One axial slice (27 of 105, counting up from the lowest) of a contrast-enhanced abdominal CT acquired with 120 kVp, kernel B; each pixel is 0.977 mm and the slice is 3.00 mm thick.
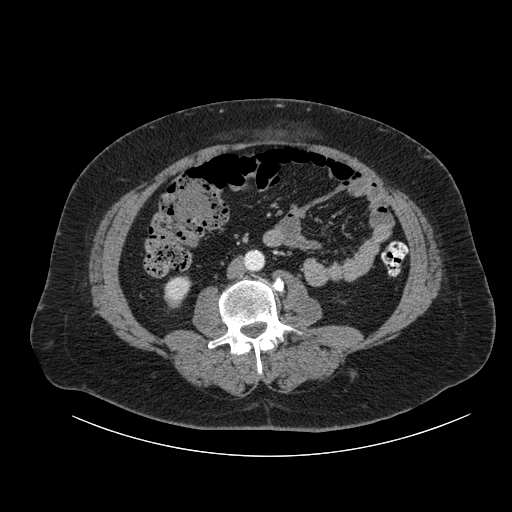
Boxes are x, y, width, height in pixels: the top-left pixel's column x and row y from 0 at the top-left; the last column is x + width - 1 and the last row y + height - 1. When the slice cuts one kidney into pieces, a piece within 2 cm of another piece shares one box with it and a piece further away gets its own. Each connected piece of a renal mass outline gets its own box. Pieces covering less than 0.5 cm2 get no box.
Box x 163, y 275, width 29, height 34: right kidney (outlined area 680 px, about 6.5 cm2). This slice carries no renal mass outline.